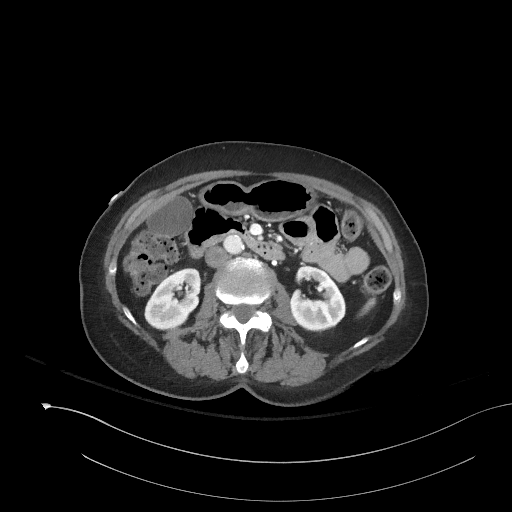
Contrast-enhanced abdominal CT, axial slice 93 of 153 (counted from the lowest slice); tube voltage 120 kVp, convolution kernel I41f; slices 3.00 mm thick, 0.893 mm per pixel.
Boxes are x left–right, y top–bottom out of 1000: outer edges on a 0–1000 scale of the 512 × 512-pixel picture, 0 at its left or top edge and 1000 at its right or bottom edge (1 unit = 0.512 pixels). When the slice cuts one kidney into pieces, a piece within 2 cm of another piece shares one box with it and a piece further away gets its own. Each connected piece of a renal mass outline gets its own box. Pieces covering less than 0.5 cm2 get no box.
Two kidney boxes on this slice; by box centre, from the image's left to its right: (1) Box x 281–393, y 521–646 out of 1000: right kidney (outlined area 2,491 px, about 19.8 cm2). (2) Box x 566–678, y 520–650 out of 1000: left kidney (outlined area 2,590 px, about 20.6 cm2). This slice carries no renal mass outline.